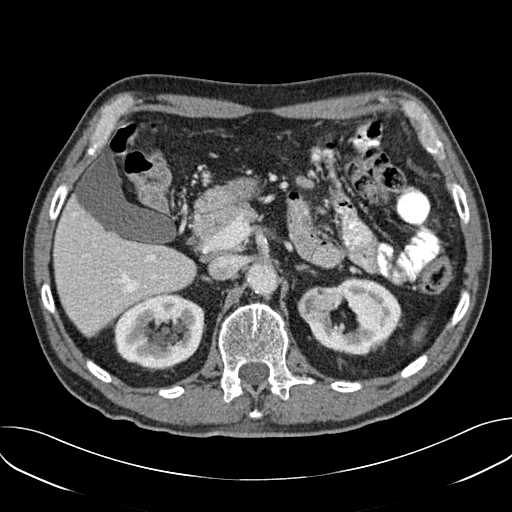
Arterial-phase contrast-enhanced abdominal CT, axial slice 112 of 157 (counted from the lowest slice); tube voltage 120 kVp, convolution kernel B30f; slices 3.00 mm thick, 0.742 mm per pixel.
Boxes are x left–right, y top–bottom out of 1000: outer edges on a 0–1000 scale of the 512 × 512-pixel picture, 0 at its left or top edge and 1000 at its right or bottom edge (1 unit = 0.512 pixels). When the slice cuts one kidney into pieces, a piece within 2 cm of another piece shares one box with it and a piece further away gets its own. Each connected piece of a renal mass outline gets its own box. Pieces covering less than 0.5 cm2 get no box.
Three boxes on this slice (two kidney boxes and one renal mass box), listed by box centre from the image's left to its right. (1) Right kidney, box x 223–400, y 572–723 out of 1000 (outlined area 5,358 px, about 29.5 cm2). (2) Left renal mass at x 580–648, y 559–633 out of 1000 (outlined area 969 px, about 5.3 cm2). (3) Left kidney at x 600–785, y 543–695 out of 1000 (outlined area 4,561 px, about 25.1 cm2).